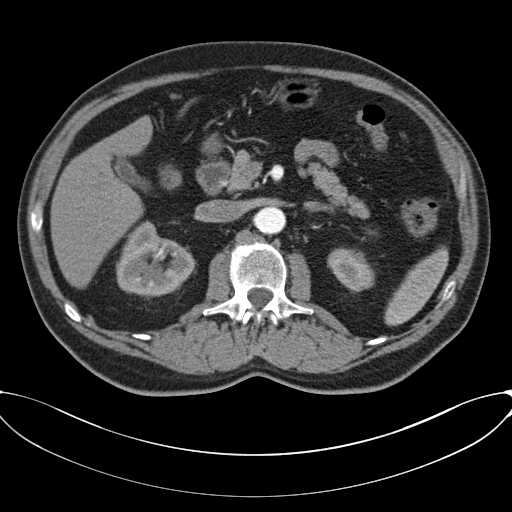
Abdominal CT with intravenous contrast, axial plane, 120 kVp, kernel B30f. Slice 42/80 from the bottom of the scan; thickness 3.00 mm; pixel size 0.822 mm.
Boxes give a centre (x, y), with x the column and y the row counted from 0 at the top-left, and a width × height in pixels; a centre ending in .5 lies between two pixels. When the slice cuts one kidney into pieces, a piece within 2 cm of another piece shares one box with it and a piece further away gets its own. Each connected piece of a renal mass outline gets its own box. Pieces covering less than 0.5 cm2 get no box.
Boxed on this slice (two kidney boxes), listed by box centre from the image's left to its right: (1) Box centre (155, 258.5), 79 × 76 pixels: right kidney (outlined area 4,048 px, about 27.4 cm2). (2) Left kidney, box centre (350.5, 269.5), 48 × 44 pixels (outlined area 1,472 px, about 10.0 cm2). This slice carries no renal mass outline.